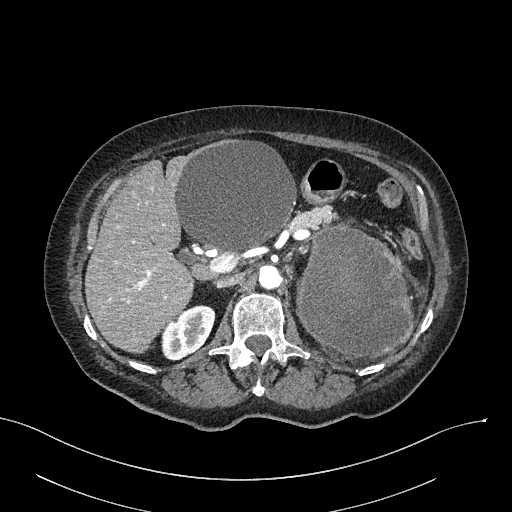
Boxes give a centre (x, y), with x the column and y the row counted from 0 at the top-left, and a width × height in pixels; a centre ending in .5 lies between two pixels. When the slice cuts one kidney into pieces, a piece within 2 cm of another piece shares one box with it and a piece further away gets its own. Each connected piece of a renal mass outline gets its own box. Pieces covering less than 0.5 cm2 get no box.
Arterial-phase contrast-enhanced abdominal CT, axial slice 170 of 316 (counted from the lowest slice); 2.00 mm thick, 0.840 mm per pixel. Boxed on this slice (one kidney box and one renal mass box), listed by box centre from the image's left to its right: (1) Right kidney in a box with centre (188, 332.5), 55 × 56 pixels (outlined area 2,091 px, about 14.7 cm2). (2) Left renal mass in a box with centre (353.5, 291.5), 118 × 134 pixels (outlined area 12,058 px, about 85.0 cm2); here it is more than 1 cm from any kidney outline, though on another slice the same outlined renal mass lies within 1 cm of the kidney.
Acquired at 100 kVp and reconstructed with the I40f kernel.